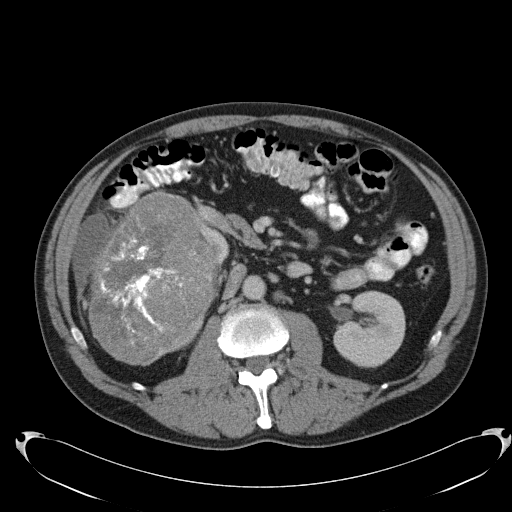
Contrast-enhanced abdominal CT, axial slice 62 of 103 (counted from the lowest slice); tube voltage 120 kVp, convolution kernel B31f; slices 5.00 mm thick, 0.801 mm per pixel.
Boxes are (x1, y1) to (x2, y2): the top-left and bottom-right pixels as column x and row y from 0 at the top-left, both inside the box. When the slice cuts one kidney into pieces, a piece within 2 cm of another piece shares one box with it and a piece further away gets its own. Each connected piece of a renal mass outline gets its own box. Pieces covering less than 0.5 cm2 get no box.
Boxed on this slice (three kidney boxes and one renal mass box), listed by box centre from the image's left to its right: (1) Box (87, 187) to (222, 366): right renal mass (outlined area 17,017 px, about 109.1 cm2). (2) Box (171, 321) to (203, 352): right kidney (one of two boxed parts) (outlined area 214 px, about 1.4 cm2). (3) Right kidney (one of two boxed parts) from (204, 222) to (229, 263) (outlined area 476 px, about 3.1 cm2). (4) Left kidney, box (333, 290) to (405, 367) (outlined area 4,364 px, about 28.0 cm2).